Abdominal CT with intravenous contrast, arterial phase, axial plane, 100 kVp, kernel I26f. Slice 397/665 from the bottom of the scan; thickness 1.00 mm; pixel size 0.828 mm.
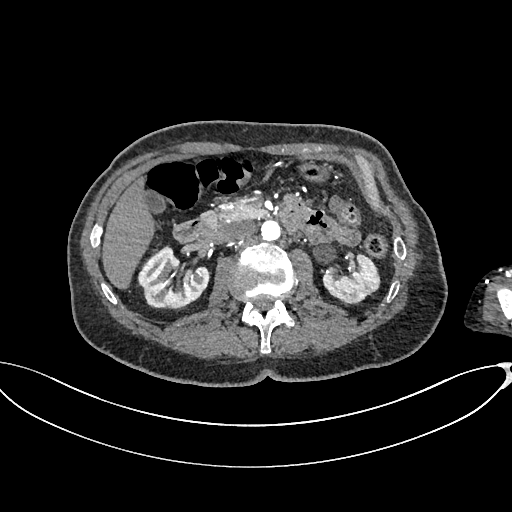
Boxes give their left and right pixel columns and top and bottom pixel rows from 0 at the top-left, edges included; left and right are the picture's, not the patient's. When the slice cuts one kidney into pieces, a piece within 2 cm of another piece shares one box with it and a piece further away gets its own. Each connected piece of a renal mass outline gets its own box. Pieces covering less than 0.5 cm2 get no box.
Two boxes on this slice (two kidney boxes), listed by box centre from the image's left to its right. (1) Right kidney, the box with left 137, top 244, right 210, bottom 309 (outlined area 3,202 px, about 22.0 cm2). (2) Box with left 322, top 252, right 380, bottom 304: left kidney (outlined area 2,062 px, about 14.1 cm2). This slice carries no renal mass outline.